Abdominal CT with intravenous contrast, arterial phase, axial plane, 120 kVp, kernel B30f. Slice 400/581 from the bottom of the scan; thickness 1.00 mm; pixel size 0.713 mm.
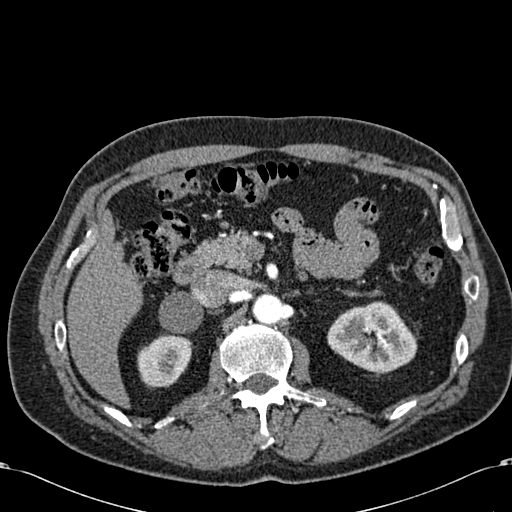
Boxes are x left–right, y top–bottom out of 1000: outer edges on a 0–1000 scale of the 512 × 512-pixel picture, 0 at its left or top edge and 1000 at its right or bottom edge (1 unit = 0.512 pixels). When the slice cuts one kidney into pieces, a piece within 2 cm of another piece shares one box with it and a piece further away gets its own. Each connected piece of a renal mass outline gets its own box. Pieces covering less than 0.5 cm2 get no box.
Boxed on this slice (two kidney boxes), listed by box centre from the image's left to its right: (1) Right kidney at x 268–377, y 650–758 out of 1000 (outlined area 2,270 px, about 11.5 cm2). (2) Box x 639–816, y 588–730 out of 1000: left kidney (outlined area 4,680 px, about 23.8 cm2). No renal mass is outlined on this slice.